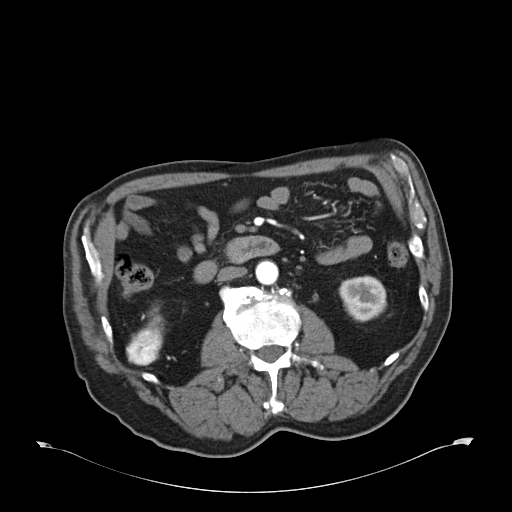
Axial slice 26 of 59 of a contrast-enhanced abdominal CT in the arterial phase (slice 1 is the lowest), 120 kVp, kernel B30f; 5.00 mm slice thickness and 0.871 mm pixels.
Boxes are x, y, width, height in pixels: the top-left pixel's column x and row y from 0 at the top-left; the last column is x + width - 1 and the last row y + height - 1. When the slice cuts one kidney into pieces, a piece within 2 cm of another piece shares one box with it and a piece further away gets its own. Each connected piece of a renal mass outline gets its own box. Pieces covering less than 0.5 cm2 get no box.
Boxed on this slice (two kidney boxes and one renal mass box), listed by box centre from the image's left to its right: (1) Right renal mass, box x 126, y 328, width 37, height 38 (outlined area 1,098 px, about 8.3 cm2). (2) Right kidney at x 141, y 306, width 24, height 29 (outlined area 322 px, about 2.4 cm2). (3) Left kidney at x 338, y 275, width 49, height 48 (outlined area 1,760 px, about 13.4 cm2).